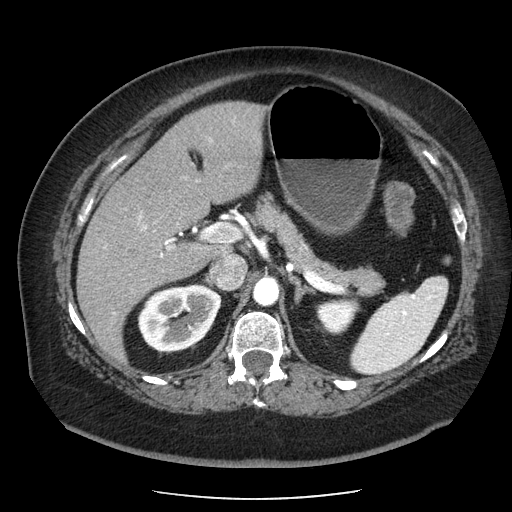
Axial slice 140 of 186 of a contrast-enhanced abdominal CT in the arterial phase (slice 1 is the lowest), 120 kVp, kernel STANDARD; 2.50 mm slice thickness and 0.742 mm pixels.
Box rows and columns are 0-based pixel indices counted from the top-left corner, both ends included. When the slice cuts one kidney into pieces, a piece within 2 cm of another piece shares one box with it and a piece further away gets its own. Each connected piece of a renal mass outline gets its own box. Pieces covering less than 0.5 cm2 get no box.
Two boxes on this slice (two kidney boxes), listed by box centre from the image's left to its right. (1) Right kidney at rows 283–351, columns 137–221 (outlined area 4,390 px, about 24.2 cm2). (2) Box rows 295–335, columns 315–359: left kidney (outlined area 1,276 px, about 7.0 cm2). No renal mass outline on this slice.